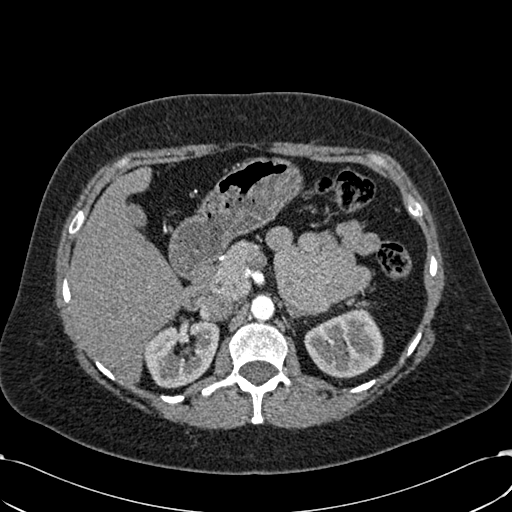
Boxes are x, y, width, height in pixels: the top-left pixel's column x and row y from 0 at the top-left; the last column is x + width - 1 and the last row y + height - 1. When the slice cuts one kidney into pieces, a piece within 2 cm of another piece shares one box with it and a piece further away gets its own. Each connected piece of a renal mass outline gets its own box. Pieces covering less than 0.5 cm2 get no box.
Slice 411/532 of a contrast-enhanced abdominal CT in the arterial phase, counting up from the lowest; pixel size 0.713 mm, slice thickness 1.00 mm. Two boxes on this slice (two kidney boxes), listed by box centre from the image's left to its right. (1) Box x 144, y 319, width 76, height 70: right kidney (outlined area 3,737 px, about 19.0 cm2). (2) Left kidney at x 304, y 307, width 80, height 72 (outlined area 4,087 px, about 20.8 cm2). This slice carries no renal mass outline.
Tube voltage 120 kVp; convolution kernel B30f.